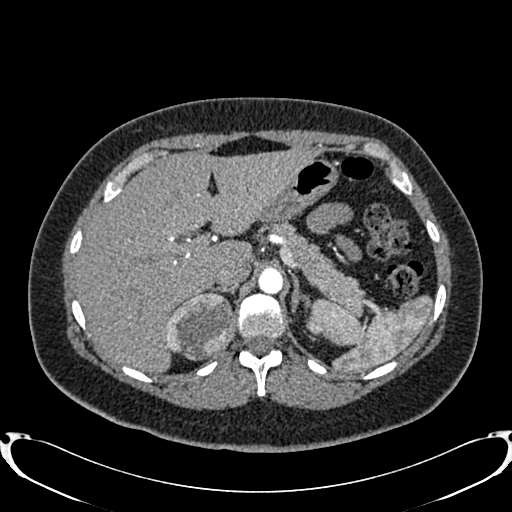
Abdominal CT with intravenous contrast, arterial phase, axial plane, 120 kVp, kernel B20f. Slice 594/719 from the bottom of the scan; thickness 1.00 mm; pixel size 0.766 mm.
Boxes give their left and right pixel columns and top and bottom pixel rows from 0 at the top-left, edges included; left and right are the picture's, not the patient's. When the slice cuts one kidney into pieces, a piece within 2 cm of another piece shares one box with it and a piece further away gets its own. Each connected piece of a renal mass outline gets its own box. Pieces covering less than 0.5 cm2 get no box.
Boxed on this slice (one kidney box and one renal mass box), listed by box centre from the image's left to its right: (1) Box with left 166, top 291, right 235, bottom 360: right renal mass (outlined area 3,666 px, about 21.5 cm2). (2) Left kidney in the box with left 305, top 316, right 321, bottom 333 (outlined area 224 px, about 1.3 cm2).